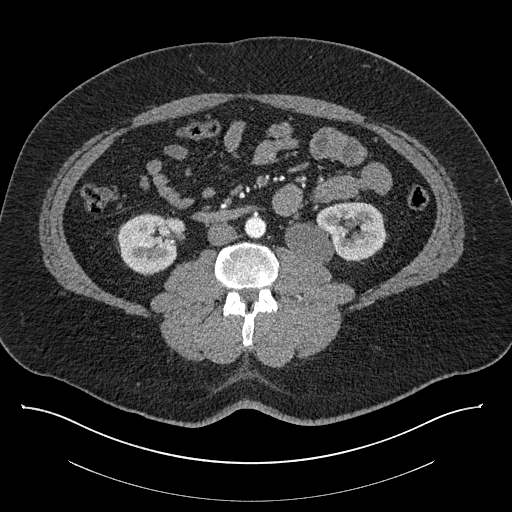
Axial slice 415 of 787 of a contrast-enhanced abdominal CT (slice 1 is the lowest), 140 kVp, kernel I30f; 1.00 mm slice thickness and 0.910 mm pixels.
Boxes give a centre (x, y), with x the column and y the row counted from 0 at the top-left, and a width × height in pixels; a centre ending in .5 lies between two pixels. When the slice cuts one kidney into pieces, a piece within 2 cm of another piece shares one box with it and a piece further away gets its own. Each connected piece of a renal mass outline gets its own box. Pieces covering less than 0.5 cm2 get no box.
Boxed on this slice (two kidney boxes), listed by box centre from the image's left to its right: (1) Box centre (150.5, 243.5), 68 × 62 pixels: right kidney (outlined area 3,098 px, about 25.7 cm2). (2) Box centre (335.5, 232.5), 102 × 64 pixels: left kidney (outlined area 4,657 px, about 38.6 cm2). No renal mass outline on this slice.